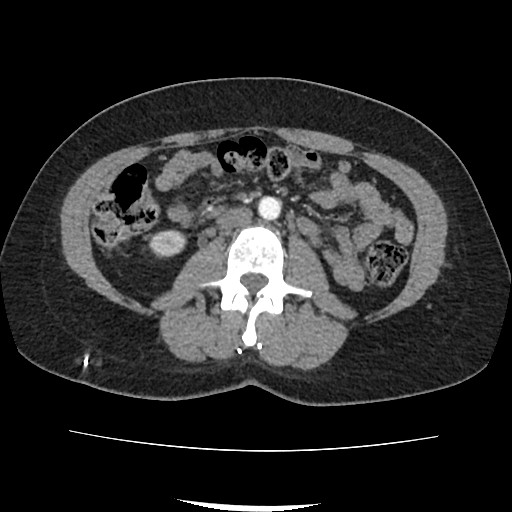
Contrast-enhanced abdominal CT, axial slice 35 of 103 (counted from the lowest slice); tube voltage 120 kVp, convolution kernel FC18; slices 3.00 mm thick, 0.714 mm per pixel.
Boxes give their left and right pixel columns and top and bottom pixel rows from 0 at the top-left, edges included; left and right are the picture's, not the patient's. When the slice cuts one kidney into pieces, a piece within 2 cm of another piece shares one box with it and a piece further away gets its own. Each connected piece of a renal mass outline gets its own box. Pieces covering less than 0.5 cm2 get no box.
Box with left 148, top 229, right 187, bottom 257: right kidney (outlined area 855 px, about 4.4 cm2). No renal mass outline on this slice.